Contrast-enhanced abdominal CT, axial slice 73 of 146 (counted from the lowest slice); tube voltage 120 kVp, convolution kernel B41f; slices 5.00 mm thick, 0.840 mm per pixel.
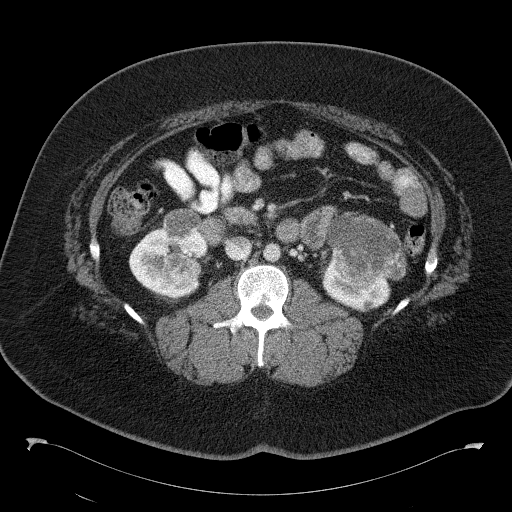
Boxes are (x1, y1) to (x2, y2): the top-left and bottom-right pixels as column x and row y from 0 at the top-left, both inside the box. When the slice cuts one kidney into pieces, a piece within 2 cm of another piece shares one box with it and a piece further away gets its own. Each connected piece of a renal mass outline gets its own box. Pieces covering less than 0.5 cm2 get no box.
Boxed on this slice (two kidney boxes and three renal mass boxes), listed by box centre from the image's left to its right: (1) Box (128, 228) to (208, 296): kidney (outlined area 3,150 px, about 22.2 cm2). (2) Renal mass from (163, 208) to (201, 239) (outlined area 951 px, about 6.7 cm2). (3) Renal mass, box (164, 253) to (201, 284) (outlined area 879 px, about 6.2 cm2). (4) Kidney from (322, 249) to (390, 312) (outlined area 2,459 px, about 17.3 cm2). (5) Box (325, 211) to (406, 280): renal mass (outlined area 3,905 px, about 27.5 cm2).